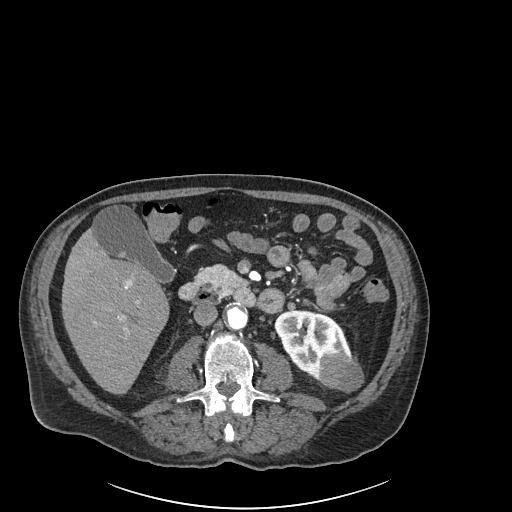
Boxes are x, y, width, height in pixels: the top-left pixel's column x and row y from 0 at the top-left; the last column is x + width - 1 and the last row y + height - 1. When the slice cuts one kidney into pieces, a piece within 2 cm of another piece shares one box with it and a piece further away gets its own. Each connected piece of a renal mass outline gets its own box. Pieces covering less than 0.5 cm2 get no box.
Slice 89/261 of a contrast-enhanced abdominal CT in the arterial phase, counting up from the lowest; pixel size 0.939 mm, slice thickness 2.00 mm. One kidney box and one renal mass box on this slice; by box centre, from the image's left to its right: (1) Left kidney, box x 275, y 310, width 79, height 71 (outlined area 3,198 px, about 28.2 cm2). (2) Left renal mass at x 319, y 352, width 45, height 40 (outlined area 1,416 px, about 12.5 cm2).
Acquired at 120 kVp and reconstructed with the I30f kernel.